Axial slice 53 of 97 of a contrast-enhanced abdominal CT (slice 1 is the lowest), 120 kVp, kernel B30f; 5.00 mm slice thickness and 0.664 mm pixels.
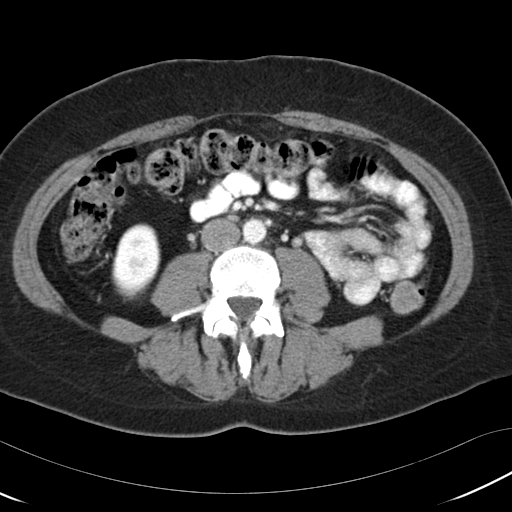
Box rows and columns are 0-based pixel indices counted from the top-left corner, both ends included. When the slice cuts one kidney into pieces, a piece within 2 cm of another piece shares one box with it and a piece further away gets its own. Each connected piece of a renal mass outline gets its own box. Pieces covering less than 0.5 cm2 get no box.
Right kidney, box rows 223–300, columns 112–160 (outlined area 2,830 px, about 12.5 cm2). No renal mass outline on this slice.